Abdominal CT with intravenous contrast, arterial phase, axial plane, 120 kVp, kernel I30f. Slice 398/626 from the bottom of the scan; thickness 1.00 mm; pixel size 0.703 mm.
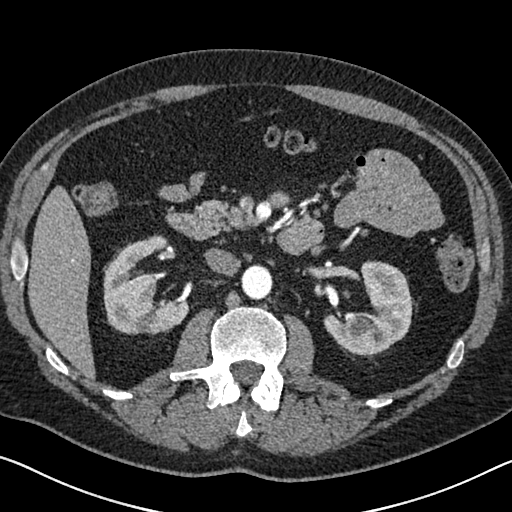
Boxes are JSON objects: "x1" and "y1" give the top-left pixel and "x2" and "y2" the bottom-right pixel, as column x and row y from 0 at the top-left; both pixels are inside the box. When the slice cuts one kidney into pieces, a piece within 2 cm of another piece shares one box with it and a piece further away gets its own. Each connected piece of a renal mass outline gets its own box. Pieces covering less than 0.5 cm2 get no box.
Boxed on this slice (two kidney boxes), listed by box centre from the image's left to its right: (1) Box {"x1": 103, "y1": 234, "x2": 188, "y2": 334}: right kidney (outlined area 5,577 px, about 27.6 cm2). (2) Left kidney at {"x1": 323, "y1": 260, "x2": 414, "y2": 356} (outlined area 5,264 px, about 26.0 cm2). No renal mass is outlined on this slice.